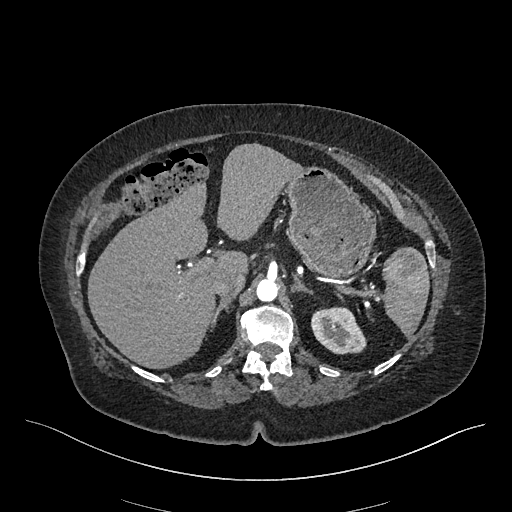
Arterial-phase contrast-enhanced abdominal CT, axial slice 340 of 548 (counted from the lowest slice); tube voltage 120 kVp, convolution kernel I26f; slices 1.00 mm thick, 0.852 mm per pixel.
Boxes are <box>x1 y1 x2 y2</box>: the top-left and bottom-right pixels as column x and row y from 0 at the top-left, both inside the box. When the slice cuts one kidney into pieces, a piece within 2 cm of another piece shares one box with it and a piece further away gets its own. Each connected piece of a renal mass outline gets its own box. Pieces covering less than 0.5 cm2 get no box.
Left kidney at <box>311 306 366 354</box> (outlined area 2,010 px, about 14.6 cm2). No renal mass is outlined on this slice.